Axial slice 136 of 164 of a contrast-enhanced abdominal CT in the arterial phase (slice 1 is the lowest), 130 kVp, kernel B30s; 3.00 mm slice thickness and 0.664 mm pixels.
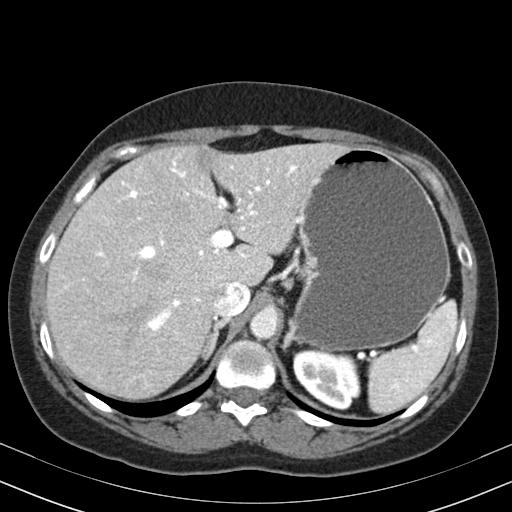
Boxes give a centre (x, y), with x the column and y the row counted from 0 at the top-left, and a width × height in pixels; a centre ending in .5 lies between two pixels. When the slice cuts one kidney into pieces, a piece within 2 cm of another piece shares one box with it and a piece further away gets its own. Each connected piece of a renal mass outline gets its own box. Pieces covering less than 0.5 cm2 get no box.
Left kidney, box centre (326, 379), 67 × 61 pixels (outlined area 3,091 px, about 13.6 cm2). This slice carries no renal mass outline.